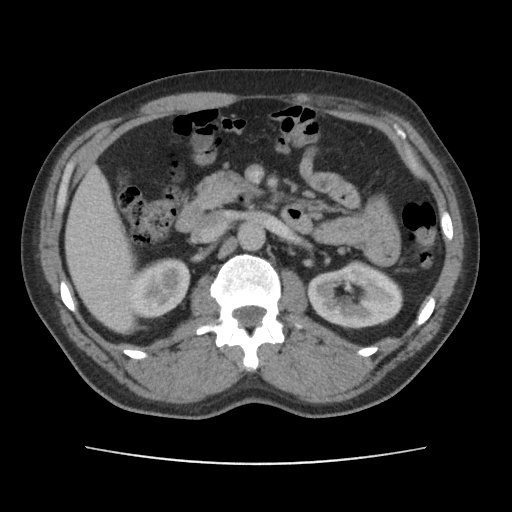
Abdominal CT with intravenous contrast, arterial phase, axial plane, 120 kVp, kernel FC14. Slice 70/101 from the bottom of the scan; thickness 5.00 mm; pixel size 0.755 mm.
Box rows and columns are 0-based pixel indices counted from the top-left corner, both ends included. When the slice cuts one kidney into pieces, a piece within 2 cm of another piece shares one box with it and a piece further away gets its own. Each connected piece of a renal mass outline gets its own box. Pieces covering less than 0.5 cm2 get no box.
Two boxes on this slice (two kidney boxes), listed by box centre from the image's left to its right. (1) Right kidney, box rows 258–318, columns 126–190 (outlined area 3,006 px, about 17.1 cm2). (2) Box rows 260–329, columns 306–403: left kidney (outlined area 4,801 px, about 27.4 cm2). No renal mass outline on this slice.